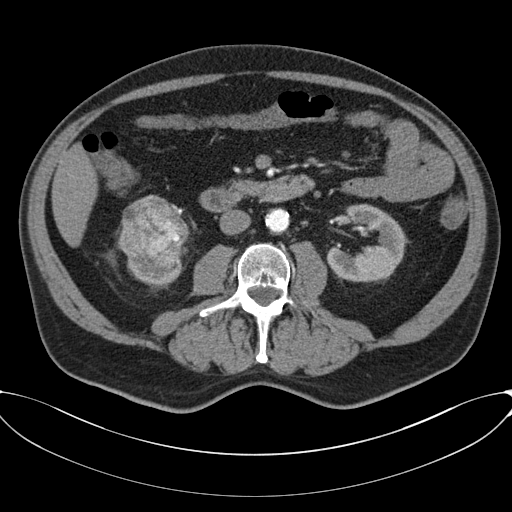
Abdominal CT with intravenous contrast, axial plane, 120 kVp, kernel B30f. Slice 28/80 from the bottom of the scan; thickness 3.00 mm; pixel size 0.822 mm.
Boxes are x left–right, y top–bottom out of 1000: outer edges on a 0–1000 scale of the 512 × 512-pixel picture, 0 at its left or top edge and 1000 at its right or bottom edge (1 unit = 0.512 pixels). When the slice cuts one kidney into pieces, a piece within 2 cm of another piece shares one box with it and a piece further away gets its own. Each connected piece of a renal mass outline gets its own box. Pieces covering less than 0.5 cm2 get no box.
Two kidney boxes and one renal mass box on this slice; by box centre, from the image's left to its right: (1) Right renal mass at x 229–367, y 383–527 out of 1000 (outlined area 3,992 px, about 27.0 cm2). (2) Box x 250–355, y 508–555 out of 1000: right kidney (outlined area 710 px, about 4.8 cm2). (3) Box x 637–801, y 396–553 out of 1000: left kidney (outlined area 3,984 px, about 26.9 cm2).